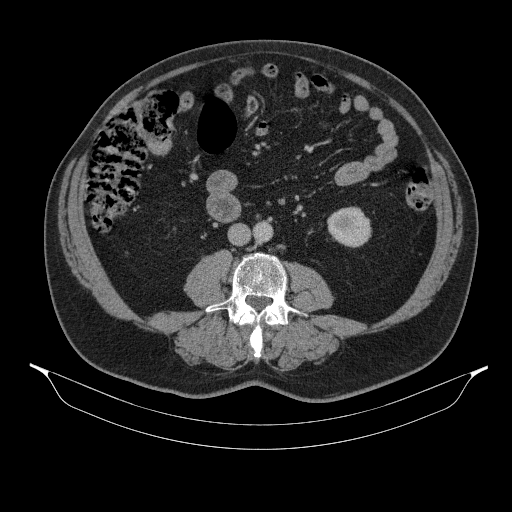
One axial slice (166 of 314, counting up from the lowest) of a contrast-enhanced abdominal CT acquired with 130 kVp, kernel B31s; each pixel is 0.934 mm and the slice is 2.50 mm thick.
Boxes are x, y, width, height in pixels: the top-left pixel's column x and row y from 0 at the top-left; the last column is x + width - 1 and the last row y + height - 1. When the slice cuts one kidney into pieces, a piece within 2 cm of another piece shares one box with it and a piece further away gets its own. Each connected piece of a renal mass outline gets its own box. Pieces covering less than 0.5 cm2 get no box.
Box x 327, y 206, width 45, height 42: left kidney (outlined area 1,423 px, about 12.4 cm2). This slice carries no renal mass outline.